Abdominal CT with intravenous contrast, axial plane, 120 kVp, kernel B30f. Slice 24/80 from the bottom of the scan; thickness 3.00 mm; pixel size 0.822 mm.
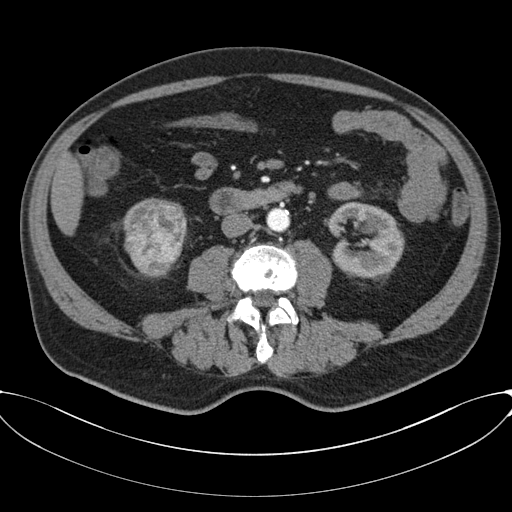
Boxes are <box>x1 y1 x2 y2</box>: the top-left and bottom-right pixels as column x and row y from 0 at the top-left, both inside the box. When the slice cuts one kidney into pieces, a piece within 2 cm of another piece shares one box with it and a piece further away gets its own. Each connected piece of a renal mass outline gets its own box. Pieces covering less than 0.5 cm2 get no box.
Boxed on this slice (two kidney boxes and one renal mass box), listed by box centre from the image's left to its right: (1) Right kidney: <box>123 198 155 233</box> (outlined area 307 px, about 2.1 cm2). (2) Right renal mass: <box>124 199 185 275</box> (outlined area 3,610 px, about 24.4 cm2). (3) At <box>329 202 404 280</box>: left kidney (outlined area 4,288 px, about 29.0 cm2).